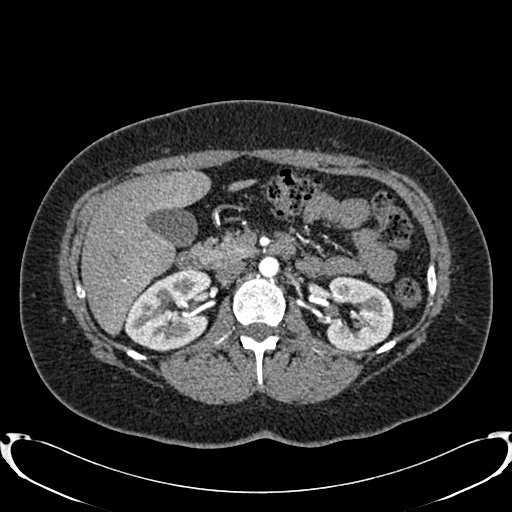
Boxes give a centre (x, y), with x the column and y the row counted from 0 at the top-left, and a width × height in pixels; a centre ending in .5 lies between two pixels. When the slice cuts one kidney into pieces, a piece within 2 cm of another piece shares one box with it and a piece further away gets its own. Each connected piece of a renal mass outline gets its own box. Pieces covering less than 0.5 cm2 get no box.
Slice 486/719 of a contrast-enhanced abdominal CT in the arterial phase, counting up from the lowest; pixel size 0.766 mm, slice thickness 1.00 mm. Boxed on this slice (two kidney boxes), listed by box centre from the image's left to its right: (1) Right kidney in a box with centre (168, 309.5), 89 × 84 pixels (outlined area 5,352 px, about 31.4 cm2). (2) Box centre (359, 312.5), 69 × 76 pixels: left kidney (outlined area 3,948 px, about 23.1 cm2). No renal mass is outlined on this slice.
Scan settings: 120 kVp, B20f reconstruction kernel.